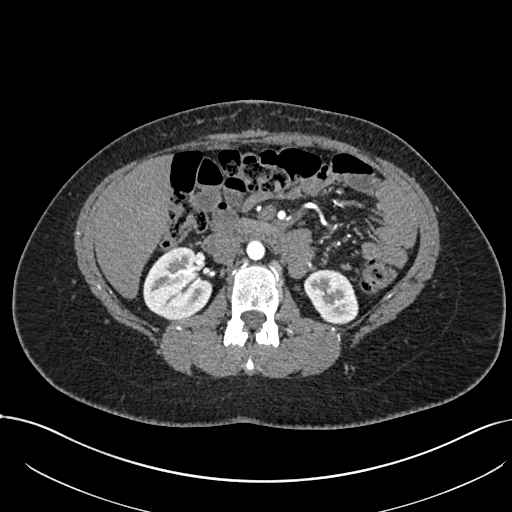
Axial slice 413 of 738 of a contrast-enhanced abdominal CT in the arterial phase (slice 1 is the lowest), 120 kVp, kernel I30f; 1.00 mm slice thickness and 0.789 mm pixels.
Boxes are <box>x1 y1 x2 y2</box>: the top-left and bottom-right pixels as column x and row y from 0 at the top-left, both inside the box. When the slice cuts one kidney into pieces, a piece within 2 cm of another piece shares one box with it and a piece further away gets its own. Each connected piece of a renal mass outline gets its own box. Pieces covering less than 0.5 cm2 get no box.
Two kidney boxes on this slice; by box centre, from the image's left to its right: (1) Right kidney at <box>143 246 212 320</box> (outlined area 3,837 px, about 23.9 cm2). (2) At <box>303 269 358 324</box>: left kidney (outlined area 2,257 px, about 14.1 cm2). No renal mass outline on this slice.